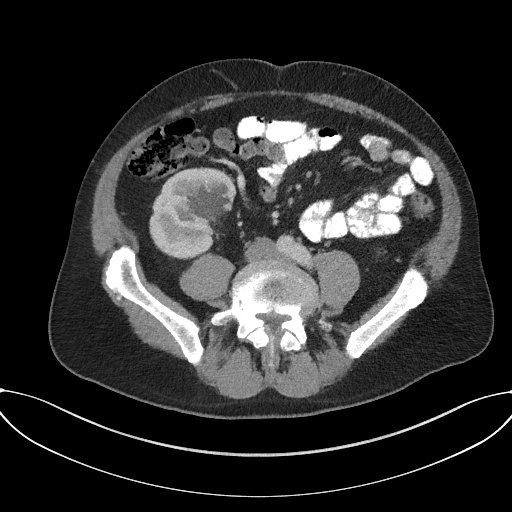
One axial slice (70 of 227, counting up from the lowest) of an arterial-phase abdominal CT acquired with 120 kVp, kernel I31f; each pixel is 0.816 mm and the slice is 3.00 mm thick.
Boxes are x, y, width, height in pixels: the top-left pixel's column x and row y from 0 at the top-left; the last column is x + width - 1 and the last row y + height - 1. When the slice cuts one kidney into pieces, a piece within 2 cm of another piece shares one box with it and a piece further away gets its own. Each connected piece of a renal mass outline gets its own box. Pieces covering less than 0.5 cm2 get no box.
Right kidney at x 149, y 167, width 89, height 93 (outlined area 5,905 px, about 39.4 cm2). No renal mass is outlined on this slice.